Abdominal CT with intravenous contrast, arterial phase, axial plane, 120 kVp, kernel I30f. Slice 274/602 from the bottom of the scan; thickness 1.00 mm; pixel size 0.799 mm.
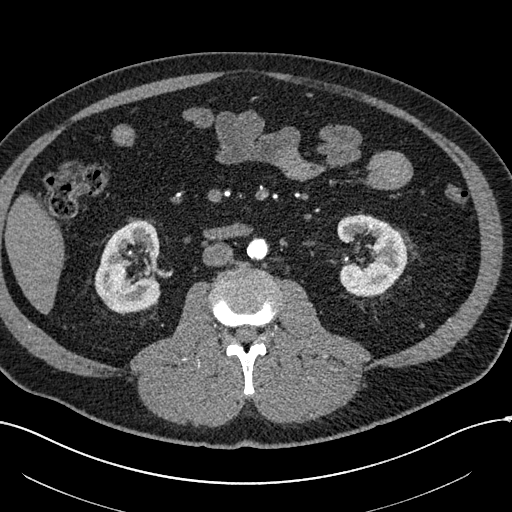
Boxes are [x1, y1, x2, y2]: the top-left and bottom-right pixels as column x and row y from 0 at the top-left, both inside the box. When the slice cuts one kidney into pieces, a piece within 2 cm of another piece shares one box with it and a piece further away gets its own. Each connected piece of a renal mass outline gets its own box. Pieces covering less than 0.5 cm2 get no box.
Boxed on this slice (two kidney boxes), listed by box centre from the image's left to its right: (1) Right kidney at [94, 220, 160, 312] (outlined area 4,592 px, about 29.3 cm2). (2) Left kidney at [337, 214, 406, 296] (outlined area 4,091 px, about 26.1 cm2).